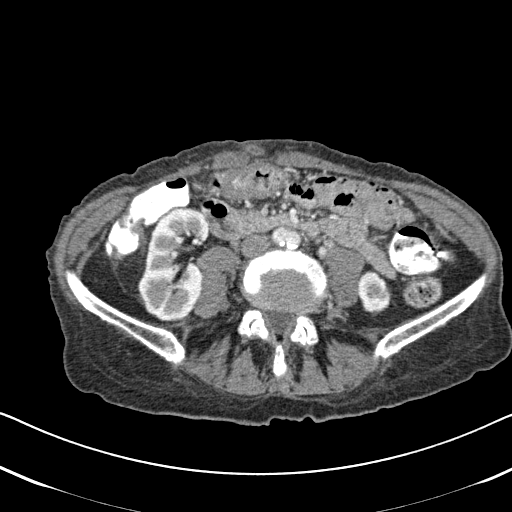
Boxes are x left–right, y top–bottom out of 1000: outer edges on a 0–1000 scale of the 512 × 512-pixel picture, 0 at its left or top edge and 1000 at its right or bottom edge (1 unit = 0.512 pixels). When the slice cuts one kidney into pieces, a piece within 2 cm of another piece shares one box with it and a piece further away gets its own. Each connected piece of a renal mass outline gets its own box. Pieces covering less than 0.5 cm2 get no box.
Arterial-phase contrast-enhanced abdominal CT, axial slice 241 of 620 (counted from the lowest slice); 2.00 mm thick, 0.637 mm per pixel. Boxed on this slice (two kidney boxes), listed by box centre from the image's left to its right: (1) Right kidney at x 268–412, y 404–633 out of 1000 (outlined area 6,101 px, about 24.7 cm2). (2) Left kidney, box x 697–766, y 527–617 out of 1000 (outlined area 1,172 px, about 4.8 cm2). No renal mass is outlined on this slice.
Acquired at 120 kVp and reconstructed with the B31f kernel.